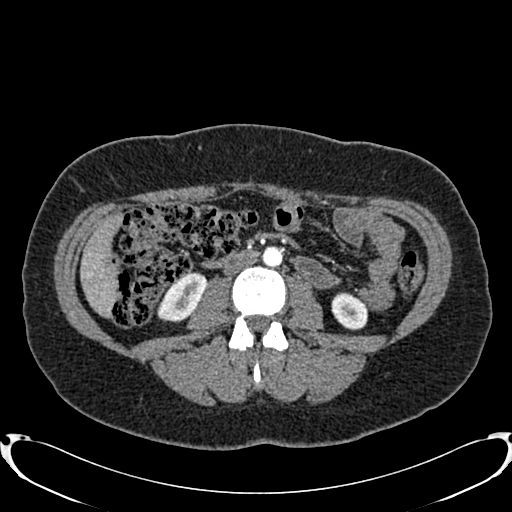
Axial slice 386 of 719 of a contrast-enhanced abdominal CT in the arterial phase (slice 1 is the lowest), 120 kVp, kernel B20f; 1.00 mm slice thickness and 0.766 mm pixels.
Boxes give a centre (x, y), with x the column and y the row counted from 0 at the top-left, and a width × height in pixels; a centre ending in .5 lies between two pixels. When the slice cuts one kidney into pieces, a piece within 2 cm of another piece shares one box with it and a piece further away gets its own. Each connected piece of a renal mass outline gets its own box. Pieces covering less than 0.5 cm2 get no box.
Two boxes on this slice (two kidney boxes), listed by box centre from the image's left to its right. (1) Right kidney, box centre (181.5, 297), 50 × 51 pixels (outlined area 1,627 px, about 9.5 cm2). (2) Left kidney in a box with centre (349, 311), 37 × 39 pixels (outlined area 1,088 px, about 6.4 cm2). No renal mass is outlined on this slice.